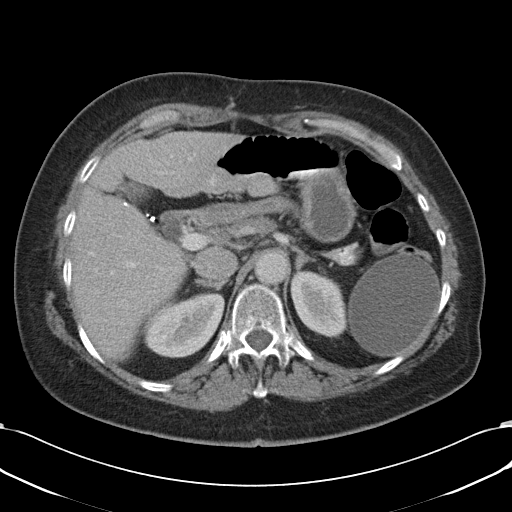
Axial slice 71 of 90 of a contrast-enhanced abdominal CT (slice 1 is the lowest), 120 kVp, kernel B31f; 5.00 mm slice thickness and 0.707 mm pixels.
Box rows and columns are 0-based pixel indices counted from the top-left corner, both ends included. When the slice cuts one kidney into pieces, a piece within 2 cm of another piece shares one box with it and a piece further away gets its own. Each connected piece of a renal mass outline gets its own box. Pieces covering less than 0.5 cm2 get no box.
Two boxes on this slice (two kidney boxes), listed by box centre from the image's left to its right. (1) Box rows 293–358, columns 145–224: right kidney (outlined area 3,416 px, about 17.1 cm2). (2) Left kidney at rows 271–337, columns 290–345 (outlined area 2,716 px, about 13.6 cm2). This slice carries no renal mass outline.